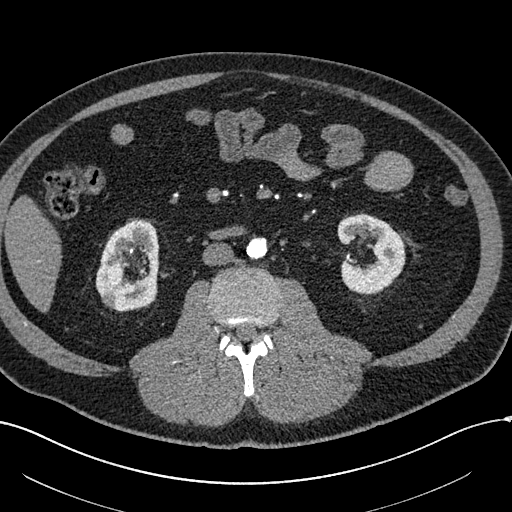
One axial slice (269 of 602, counting up from the lowest) of an arterial-phase abdominal CT acquired with 120 kVp, kernel I30f; each pixel is 0.799 mm and the slice is 1.00 mm thick.
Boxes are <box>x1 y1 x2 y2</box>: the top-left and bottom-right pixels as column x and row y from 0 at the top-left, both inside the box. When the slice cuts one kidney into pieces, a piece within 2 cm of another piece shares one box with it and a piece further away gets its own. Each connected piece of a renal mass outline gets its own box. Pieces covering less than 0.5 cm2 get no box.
Boxed on this slice (two kidney boxes and one renal mass box), listed by box centre from the image's left to its right: (1) Right renal mass at <box>101 292 118 309</box> (outlined area 222 px, about 1.4 cm2). (2) At <box>95 219 158 310</box>: right kidney (outlined area 4,277 px, about 27.3 cm2). (3) Left kidney at <box>336 213 405 294</box> (outlined area 3,912 px, about 25.0 cm2).